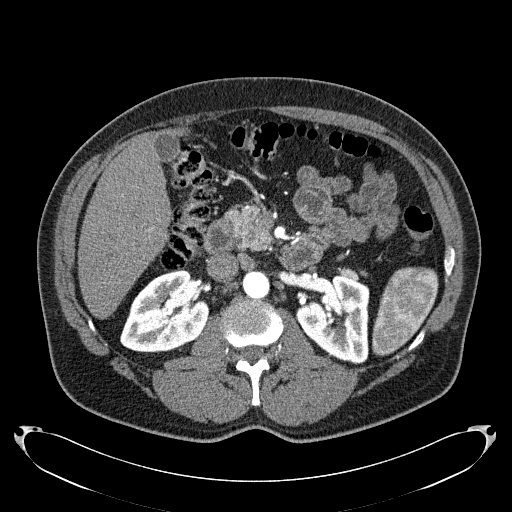
Axial slice 125 of 279 of a contrast-enhanced abdominal CT in the arterial phase (slice 1 is the lowest), 120 kVp, kernel B31f; 2.00 mm slice thickness and 0.824 mm pixels.
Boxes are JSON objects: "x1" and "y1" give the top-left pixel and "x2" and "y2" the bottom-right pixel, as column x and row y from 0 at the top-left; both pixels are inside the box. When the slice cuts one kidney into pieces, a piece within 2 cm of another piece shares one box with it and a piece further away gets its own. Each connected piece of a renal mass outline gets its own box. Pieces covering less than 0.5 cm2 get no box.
Two kidney boxes on this slice; by box centre, from the image's left to its right: (1) Right kidney, box {"x1": 120, "y1": 269, "x2": 209, "y2": 352} (outlined area 5,309 px, about 36.1 cm2). (2) Box {"x1": 295, "y1": 274, "x2": 369, "y2": 364}: left kidney (outlined area 4,756 px, about 32.3 cm2). This slice carries no renal mass outline.